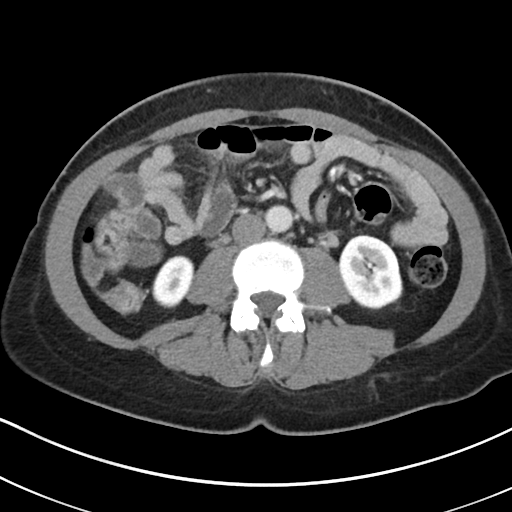
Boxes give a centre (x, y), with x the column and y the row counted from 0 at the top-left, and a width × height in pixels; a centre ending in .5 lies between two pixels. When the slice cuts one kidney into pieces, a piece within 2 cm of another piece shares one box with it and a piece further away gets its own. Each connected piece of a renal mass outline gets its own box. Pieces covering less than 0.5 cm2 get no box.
This is axial slice 96 of 178 (slice 1 is the lowest) of an abdominal CT with contrast; each pixel is 0.650 mm and the slice is 5.00 mm thick. Boxed on this slice (two kidney boxes), listed by box centre from the image's left to its right: (1) Box centre (172.5, 281.5), 44 × 54 pixels: right kidney (outlined area 1,683 px, about 7.1 cm2). (2) Left kidney, box centre (370.5, 271.5), 66 × 76 pixels (outlined area 3,741 px, about 15.8 cm2). This slice carries no renal mass outline.
Scan settings: 100 kVp, I30f reconstruction kernel.